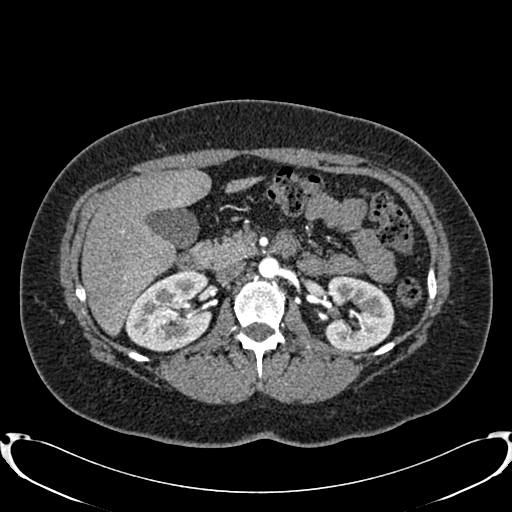
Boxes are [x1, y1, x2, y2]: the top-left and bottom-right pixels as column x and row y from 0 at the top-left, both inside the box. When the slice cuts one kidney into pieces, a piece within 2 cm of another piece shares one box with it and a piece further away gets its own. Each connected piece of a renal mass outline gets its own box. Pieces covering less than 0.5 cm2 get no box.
This is axial slice 490 of 719 (slice 1 is the lowest) of an arterial-phase abdominal CT with contrast; each pixel is 0.766 mm and the slice is 1.00 mm thick. Boxed on this slice (two kidney boxes), listed by box centre from the image's left to its right: (1) Box [125, 269, 212, 352]: right kidney (outlined area 5,367 px, about 31.5 cm2). (2) Box [324, 275, 394, 350]: left kidney (outlined area 4,108 px, about 24.1 cm2). No renal mass is outlined on this slice.
Tube voltage 120 kVp; convolution kernel B20f.